Axial slice 619 of 719 of a contrast-enhanced abdominal CT in the arterial phase (slice 1 is the lowest), 120 kVp, kernel B20f; 1.00 mm slice thickness and 0.766 mm pixels.
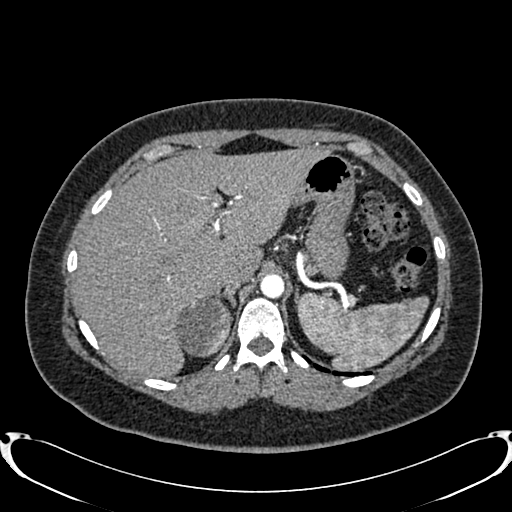
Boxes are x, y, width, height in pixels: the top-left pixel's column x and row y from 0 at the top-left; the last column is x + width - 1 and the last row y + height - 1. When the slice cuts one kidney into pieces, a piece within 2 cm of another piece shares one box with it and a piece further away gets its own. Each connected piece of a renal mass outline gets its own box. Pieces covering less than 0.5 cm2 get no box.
Right renal mass at x 174, y 296, width 59, height 62 (outlined area 2,657 px, about 15.6 cm2); no kidney outline appears on this slice, but the same outlined renal mass comes within 1 cm of the kidney on another slice.